Arterial-phase contrast-enhanced abdominal CT, axial slice 86 of 227 (counted from the lowest slice); tube voltage 120 kVp, convolution kernel I31f; slices 3.00 mm thick, 0.816 mm per pixel.
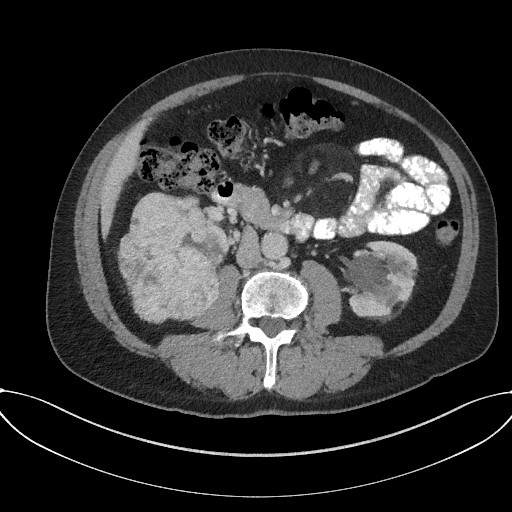
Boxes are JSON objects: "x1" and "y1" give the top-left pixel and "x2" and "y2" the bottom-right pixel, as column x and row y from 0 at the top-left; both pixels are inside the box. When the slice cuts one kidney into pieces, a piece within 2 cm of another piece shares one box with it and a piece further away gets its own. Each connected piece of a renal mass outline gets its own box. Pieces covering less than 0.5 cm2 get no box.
Three boxes on this slice (two kidney boxes and one renal mass box), listed by box centre from the image's left to its right. (1) Box {"x1": 118, "y1": 192, "x2": 222, "y2": 323}: right renal mass (outlined area 10,206 px, about 68.0 cm2). (2) Right kidney at {"x1": 182, "y1": 195, "x2": 229, "y2": 280} (outlined area 1,021 px, about 6.8 cm2). (3) Box {"x1": 343, "y1": 240, "x2": 418, "y2": 317}: left kidney (outlined area 4,187 px, about 27.9 cm2).